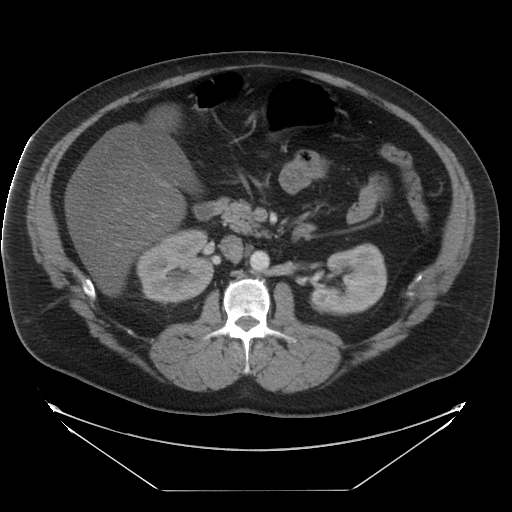
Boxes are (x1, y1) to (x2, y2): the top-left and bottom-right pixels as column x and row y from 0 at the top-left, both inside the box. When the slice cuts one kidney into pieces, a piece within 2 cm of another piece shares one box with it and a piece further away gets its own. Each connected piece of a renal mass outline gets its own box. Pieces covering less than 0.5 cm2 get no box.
This is axial slice 17 of 29 (slice 1 is the lowest) of an abdominal CT with contrast; each pixel is 0.977 mm and the slice is 5.00 mm thick. Two kidney boxes on this slice; by box centre, from the image's left to its right: (1) Right kidney, box (136, 229) to (214, 302) (outlined area 4,502 px, about 42.9 cm2). (2) Box (309, 243) to (387, 315): left kidney (outlined area 4,073 px, about 38.8 cm2). No renal mass is outlined on this slice.
Acquired at 120 kVp and reconstructed with the STANDARD kernel.